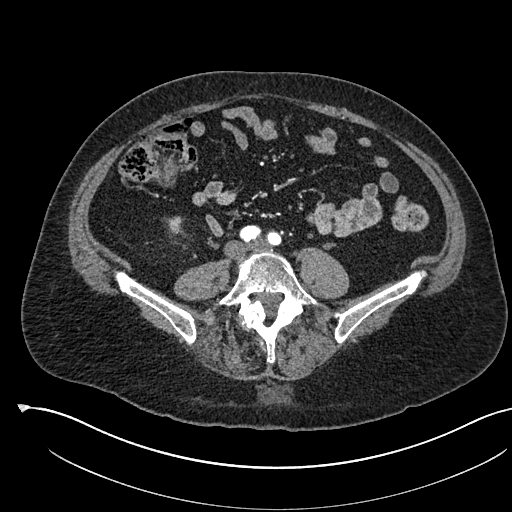
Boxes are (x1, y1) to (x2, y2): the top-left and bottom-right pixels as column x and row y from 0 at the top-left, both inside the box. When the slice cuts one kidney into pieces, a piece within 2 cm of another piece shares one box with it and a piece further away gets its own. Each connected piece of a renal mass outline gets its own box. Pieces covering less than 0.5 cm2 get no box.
This is axial slice 183 of 541 (slice 1 is the lowest) of an arterial-phase abdominal CT with contrast; each pixel is 0.834 mm and the slice is 1.00 mm thick. Box (165, 216) to (186, 236): right kidney (outlined area 271 px, about 1.9 cm2). This slice carries no renal mass outline.
Acquired at 120 kVp and reconstructed with the I30f kernel.